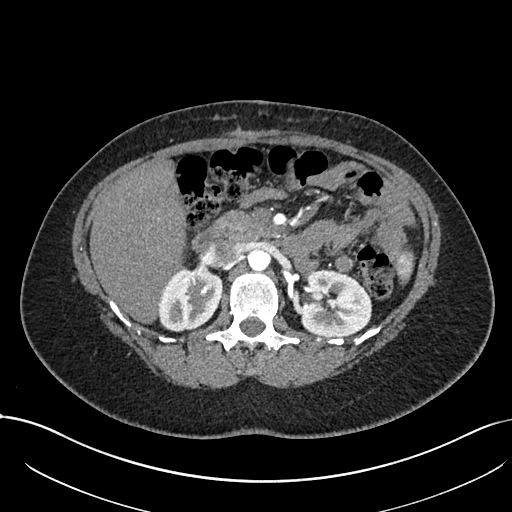
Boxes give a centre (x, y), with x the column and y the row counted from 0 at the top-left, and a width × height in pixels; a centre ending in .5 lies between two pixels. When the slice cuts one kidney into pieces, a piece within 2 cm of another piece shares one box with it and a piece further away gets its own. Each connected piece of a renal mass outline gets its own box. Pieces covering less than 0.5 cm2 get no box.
Arterial-phase contrast-enhanced abdominal CT, axial slice 457 of 738 (counted from the lowest slice); 1.00 mm thick, 0.789 mm per pixel. Two kidney boxes on this slice; by box centre, from the image's left to its right: (1) Right kidney in a box with centre (190, 298.5), 65 × 66 pixels (outlined area 3,197 px, about 19.9 cm2). (2) Left kidney in a box with centre (335.5, 303), 72 × 69 pixels (outlined area 3,961 px, about 24.7 cm2). This slice carries no renal mass outline.
Acquired at 120 kVp and reconstructed with the I30f kernel.